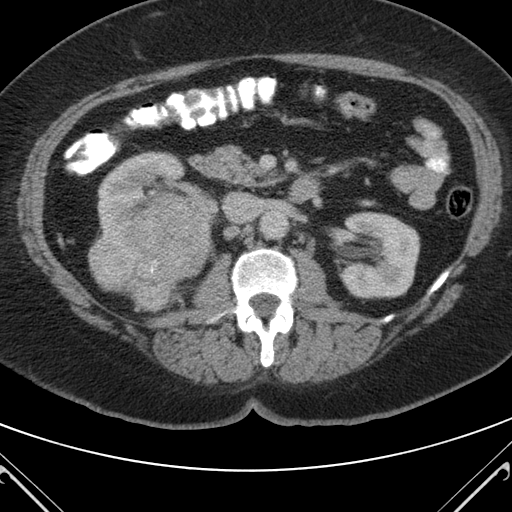
Axial slice 62 of 98 of a contrast-enhanced abdominal CT in the arterial phase (slice 1 is the lowest), 120 kVp, kernel B; 5.00 mm slice thickness and 0.703 mm pixels.
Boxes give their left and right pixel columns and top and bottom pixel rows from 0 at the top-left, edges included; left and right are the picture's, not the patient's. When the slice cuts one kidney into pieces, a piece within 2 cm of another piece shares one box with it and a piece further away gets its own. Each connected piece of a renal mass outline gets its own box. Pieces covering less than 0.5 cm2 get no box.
Two kidney boxes and one renal mass box on this slice; by box centre, from the image's left to its right: (1) Box with left 87, top 193, right 212, bottom 311: right renal mass (outlined area 9,983 px, about 49.4 cm2). (2) Right kidney, the box with left 97, top 151, right 205, bottom 235 (outlined area 4,414 px, about 21.8 cm2). (3) Left kidney in the box with left 339, top 211, right 420, bottom 299 (outlined area 5,922 px, about 29.3 cm2).